Axial slice 86 of 261 of a contrast-enhanced abdominal CT in the arterial phase (slice 1 is the lowest), 120 kVp, kernel I30f; 2.00 mm slice thickness and 0.939 mm pixels.
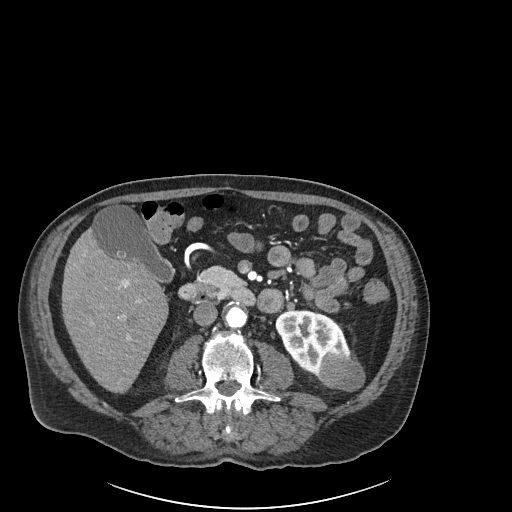
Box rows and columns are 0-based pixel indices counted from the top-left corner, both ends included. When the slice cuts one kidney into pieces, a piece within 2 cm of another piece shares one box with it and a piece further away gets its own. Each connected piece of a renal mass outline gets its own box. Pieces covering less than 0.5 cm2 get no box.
Two boxes on this slice (one kidney box and one renal mass box), listed by box centre from the image's left to its right. (1) Box rows 310–378, columns 275–350: left kidney (outlined area 3,091 px, about 27.3 cm2). (2) Left renal mass, box rows 354–391, columns 318–365 (outlined area 1,408 px, about 12.4 cm2).